Abdominal CT with intravenous contrast, axial plane, 120 kVp, kernel STANDARD. Slice 147/206 from the bottom of the scan; thickness 2.50 mm; pixel size 0.879 mm.
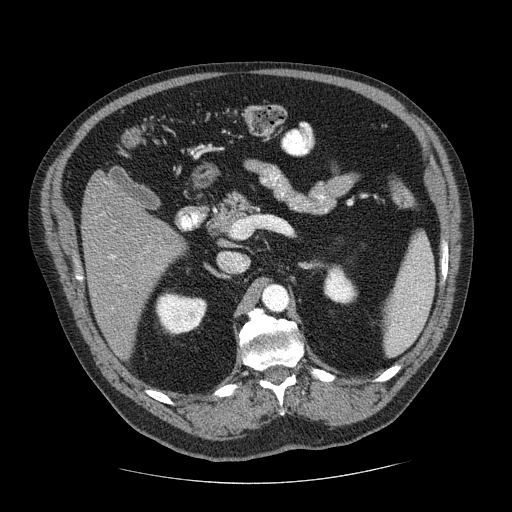
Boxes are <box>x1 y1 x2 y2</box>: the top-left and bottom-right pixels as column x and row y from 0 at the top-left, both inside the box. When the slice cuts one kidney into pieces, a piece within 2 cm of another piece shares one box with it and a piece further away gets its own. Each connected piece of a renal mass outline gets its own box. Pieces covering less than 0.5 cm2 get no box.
Two kidney boxes on this slice; by box centre, from the image's left to its right: (1) Right kidney at <box>155 292 207 336</box> (outlined area 1,767 px, about 13.6 cm2). (2) At <box>323 264 358 304</box>: left kidney (outlined area 1,003 px, about 7.7 cm2). This slice carries no renal mass outline.